Axial slice 448 of 612 of a contrast-enhanced abdominal CT in the arterial phase (slice 1 is the lowest), 120 kVp, kernel I30f; 1.00 mm slice thickness and 0.703 mm pixels.
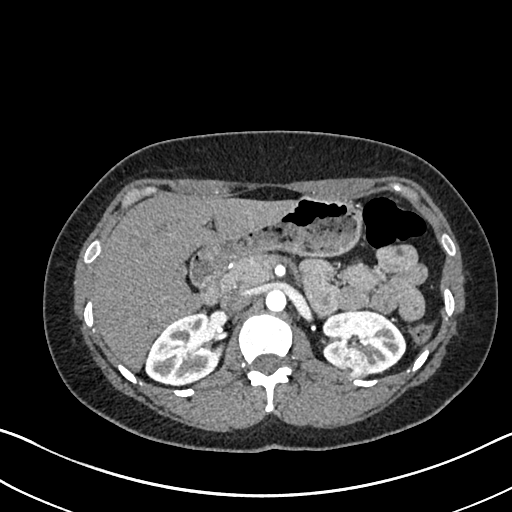
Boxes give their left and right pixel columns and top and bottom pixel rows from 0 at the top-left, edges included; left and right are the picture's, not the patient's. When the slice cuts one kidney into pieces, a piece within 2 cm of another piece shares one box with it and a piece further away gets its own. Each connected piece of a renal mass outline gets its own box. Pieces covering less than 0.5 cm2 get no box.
Three boxes on this slice (two kidney boxes and one renal mass box), listed by box centre from the image's left to its right. (1) Box with left 145, top 312, right 219, bottom 386: right kidney (outlined area 3,954 px, about 19.5 cm2). (2) Box with left 342, top 347, right 370, bottom 379: left renal mass (outlined area 690 px, about 3.4 cm2). (3) Left kidney in the box with left 321, top 309, right 406, bottom 376 (outlined area 3,784 px, about 18.7 cm2).